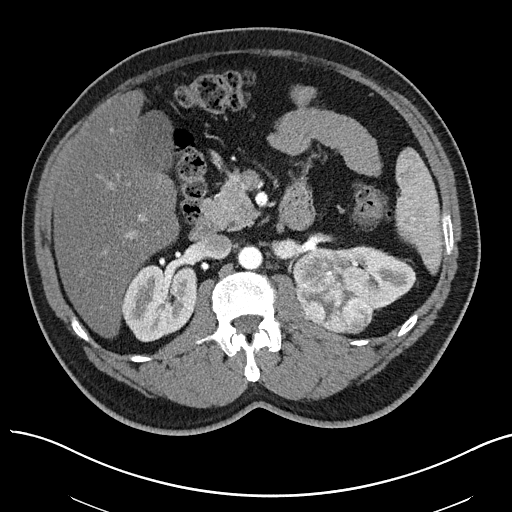
Axial slice 39 of 97 of a contrast-enhanced abdominal CT in the arterial phase (slice 1 is the lowest), 100 kVp, kernel I40f; 3.00 mm slice thickness and 0.797 mm pixels.
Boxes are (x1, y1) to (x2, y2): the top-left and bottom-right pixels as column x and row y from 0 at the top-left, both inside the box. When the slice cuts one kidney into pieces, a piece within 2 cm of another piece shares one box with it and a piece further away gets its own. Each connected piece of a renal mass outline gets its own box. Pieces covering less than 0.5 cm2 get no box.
Boxed on this slice (two kidney boxes and one renal mass box), listed by box centre from the image's left to its right: (1) Right kidney, box (120, 264) to (197, 342) (outlined area 4,664 px, about 29.6 cm2). (2) Left renal mass from (292, 247) to (374, 334) (outlined area 5,469 px, about 34.7 cm2). (3) Left kidney from (343, 245) to (416, 310) (outlined area 2,469 px, about 15.7 cm2).